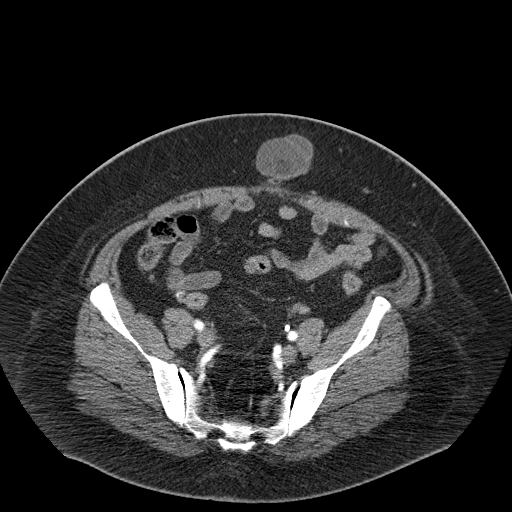
Abdominal CT with intravenous contrast, axial plane, 120 kVp, kernel B30f. Slice 10/55 from the bottom of the scan; thickness 5.00 mm; pixel size 0.908 mm.
No kidney and no renal mass is outlined on this slice; the outlines in this scan cover only the kidneys and the renal masses, so nothing is said about any other organ.